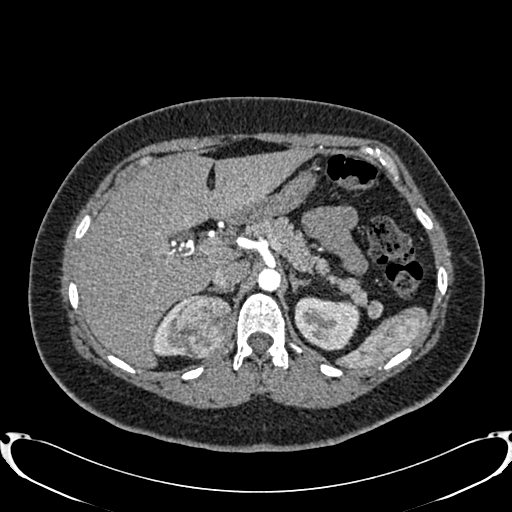
Axial slice 573 of 719 of a contrast-enhanced abdominal CT in the arterial phase (slice 1 is the lowest), 120 kVp, kernel B20f; 1.00 mm slice thickness and 0.766 mm pixels.
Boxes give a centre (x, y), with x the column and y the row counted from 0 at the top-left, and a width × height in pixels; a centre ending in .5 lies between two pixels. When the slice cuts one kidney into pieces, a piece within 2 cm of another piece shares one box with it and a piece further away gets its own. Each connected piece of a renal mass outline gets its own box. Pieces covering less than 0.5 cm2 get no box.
Two kidney boxes and one renal mass box on this slice; by box centre, from the image's left to its right: (1) Box centre (168.5, 327), 36 × 59 pixels: right kidney (outlined area 575 px, about 3.4 cm2). (2) Right renal mass in a box with centre (199.5, 326), 70 × 65 pixels (outlined area 3,515 px, about 20.6 cm2). (3) Box centre (327, 323), 67 × 55 pixels: left kidney (outlined area 2,758 px, about 16.2 cm2).